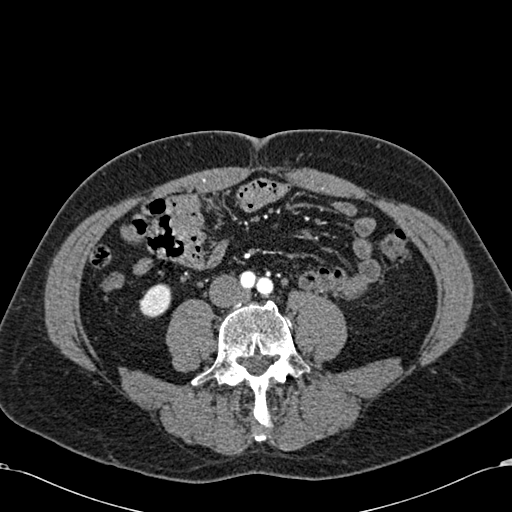
Axial slice 202 of 581 of a contrast-enhanced abdominal CT in the arterial phase (slice 1 is the lowest), 120 kVp, kernel B30f; 1.00 mm slice thickness and 0.713 mm pixels.
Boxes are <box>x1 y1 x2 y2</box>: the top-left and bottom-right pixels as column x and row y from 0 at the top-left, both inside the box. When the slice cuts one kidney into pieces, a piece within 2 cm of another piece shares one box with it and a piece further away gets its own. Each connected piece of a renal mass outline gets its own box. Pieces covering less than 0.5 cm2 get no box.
At <box>139 283 171 317</box>: right kidney (outlined area 858 px, about 4.4 cm2). No renal mass outline on this slice.